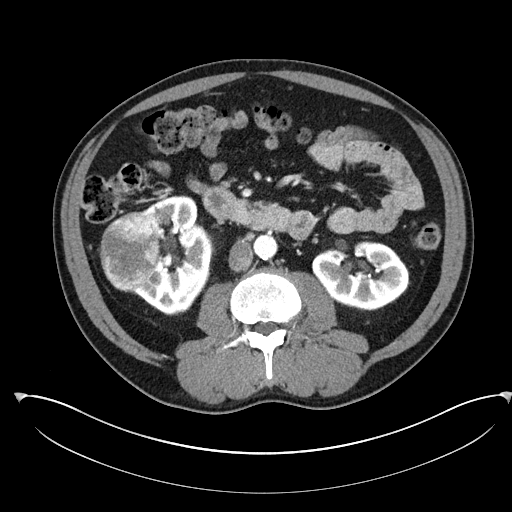
One axial slice (129 of 302, counting up from the lowest) of an arterial-phase abdominal CT acquired with 100 kVp, kernel I30f; each pixel is 0.875 mm and the slice is 5.00 mm thick.
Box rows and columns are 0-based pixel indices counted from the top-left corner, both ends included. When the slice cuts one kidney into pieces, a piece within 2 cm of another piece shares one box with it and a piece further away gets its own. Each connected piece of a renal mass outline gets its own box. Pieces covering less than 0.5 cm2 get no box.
Boxed on this slice (two kidney boxes and one renal mass box), listed by box centre from the image's left to its right: (1) Right renal mass, box rows 211–291, columns 99–158 (outlined area 3,628 px, about 27.8 cm2). (2) Box rows 195–314, columns 130–211: right kidney (outlined area 6,044 px, about 46.3 cm2). (3) Box rows 240–310, columns 312–409: left kidney (outlined area 4,988 px, about 38.2 cm2).